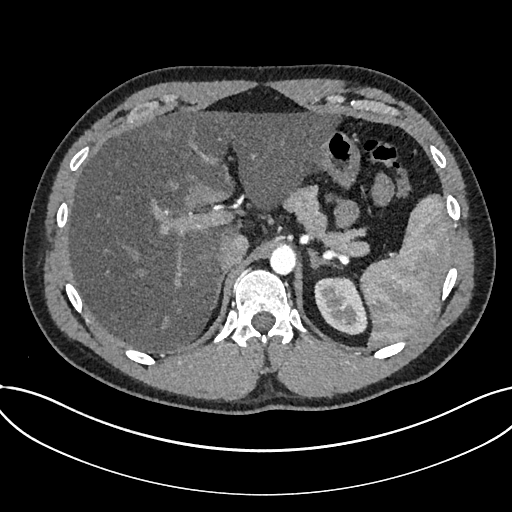
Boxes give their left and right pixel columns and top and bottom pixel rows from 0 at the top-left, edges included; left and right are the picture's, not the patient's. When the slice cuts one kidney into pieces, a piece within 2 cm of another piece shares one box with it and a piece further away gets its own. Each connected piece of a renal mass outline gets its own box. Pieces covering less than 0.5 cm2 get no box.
Arterial-phase contrast-enhanced abdominal CT, axial slice 562 of 735 (counted from the lowest slice); 1.00 mm thick, 0.789 mm per pixel. Kidney, the box with left 314, top 276, right 366, bottom 335 (outlined area 2,331 px, about 14.5 cm2). This slice carries no renal mass outline.
Tube voltage 120 kVp; convolution kernel I30f.